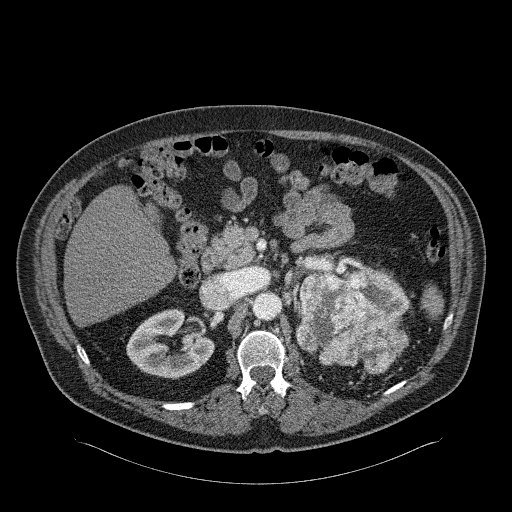
Abdominal CT with intravenous contrast, arterial phase, axial plane, 120 kVp, kernel B31f. Slice 153/326 from the bottom of the scan; thickness 2.00 mm; pixel size 0.963 mm.
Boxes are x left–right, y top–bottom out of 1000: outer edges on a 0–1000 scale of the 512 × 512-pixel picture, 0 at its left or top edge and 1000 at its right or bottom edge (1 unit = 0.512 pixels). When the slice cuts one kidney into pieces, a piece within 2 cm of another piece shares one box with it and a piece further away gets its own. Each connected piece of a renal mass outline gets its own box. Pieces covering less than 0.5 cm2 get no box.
Two kidney boxes and one renal mass box on this slice; by box centre, from the image's left to its right: (1) Box x 246–420, y 602–742 out of 1000: right kidney (outlined area 4,135 px, about 38.3 cm2). (2) Left renal mass at x 576–799, y 525–732 out of 1000 (outlined area 8,037 px, about 74.5 cm2). (3) Box x 703–801, y 525–617 out of 1000: left kidney (outlined area 1,429 px, about 13.2 cm2).